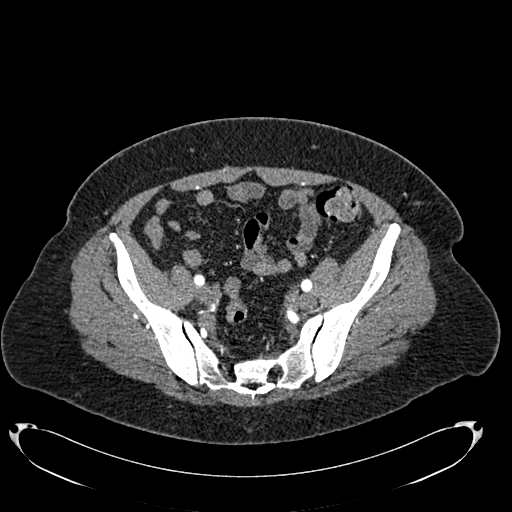
Arterial-phase contrast-enhanced abdominal CT, axial slice 123 of 634 (counted from the lowest slice); tube voltage 120 kVp, convolution kernel B20f; slices 1.00 mm thick, 0.838 mm per pixel.
Neither a kidney nor a renal mass is outlined here. Only kidneys and renal masses are outlined anywhere in this scan; other structures are never outlined.